Contrast-enhanced abdominal CT, axial slice 138 of 269 (counted from the lowest slice); tube voltage 100 kVp, convolution kernel I30f; slices 5.00 mm thick, 0.732 mm per pixel.
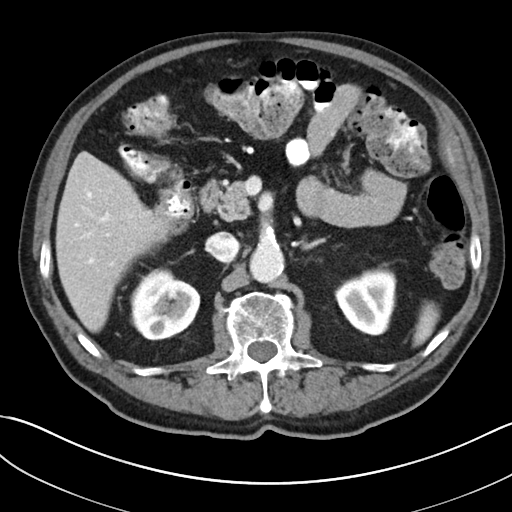
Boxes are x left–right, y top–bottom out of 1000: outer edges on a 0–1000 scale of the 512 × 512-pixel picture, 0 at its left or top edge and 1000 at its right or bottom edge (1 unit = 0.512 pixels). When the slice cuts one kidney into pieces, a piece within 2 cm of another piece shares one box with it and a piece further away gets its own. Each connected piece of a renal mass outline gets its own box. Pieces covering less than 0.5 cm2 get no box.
Boxed on this slice (two kidney boxes), listed by box centre from the image's left to its right: (1) Right kidney, box x 254–393, y 523–666 out of 1000 (outlined area 3,754 px, about 20.1 cm2). (2) Left kidney, box x 652–775, y 516–656 out of 1000 (outlined area 3,210 px, about 17.2 cm2). This slice carries no renal mass outline.